Abdominal CT with intravenous contrast, arterial phase, axial plane, 120 kVp, kernel I30f. Slice 243/527 from the bottom of the scan; thickness 1.00 mm; pixel size 0.859 mm.
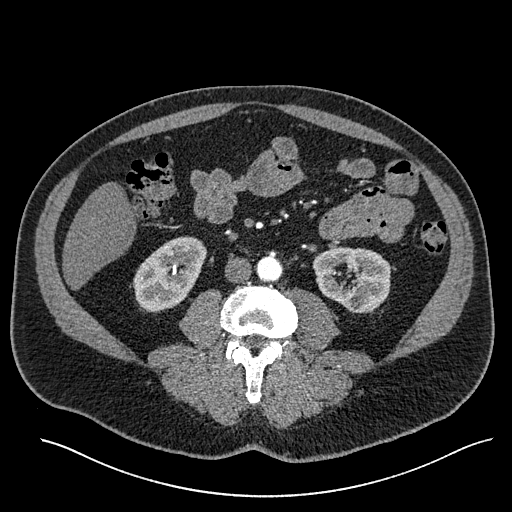
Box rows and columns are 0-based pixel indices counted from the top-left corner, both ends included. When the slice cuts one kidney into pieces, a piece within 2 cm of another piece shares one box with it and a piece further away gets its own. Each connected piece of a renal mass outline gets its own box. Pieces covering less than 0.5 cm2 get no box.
Two kidney boxes on this slice; by box centre, from the image's left to its right: (1) Right kidney, box rows 236–311, columns 133–206 (outlined area 3,862 px, about 28.5 cm2). (2) Box rows 247–313, columns 312–391: left kidney (outlined area 3,915 px, about 28.9 cm2). No renal mass is outlined on this slice.